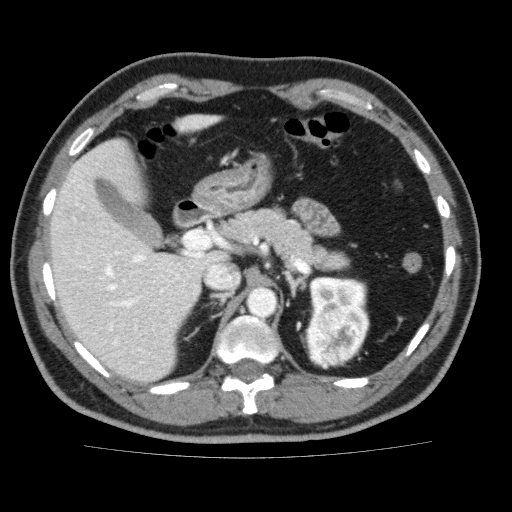
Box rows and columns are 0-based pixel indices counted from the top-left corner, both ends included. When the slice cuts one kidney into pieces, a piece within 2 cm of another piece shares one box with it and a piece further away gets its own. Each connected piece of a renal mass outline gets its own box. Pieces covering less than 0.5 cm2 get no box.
Slice 120/159 of a contrast-enhanced abdominal CT, counting up from the lowest; pixel size 0.668 mm, slice thickness 3.00 mm. Two boxes on this slice (one kidney box and one renal mass box), listed by box centre from the image's left to its right. (1) Left renal mass, box rows 310–369, columns 303–363 (outlined area 2,688 px, about 12.0 cm2). (2) Left kidney, box rows 276–341, columns 308–369 (outlined area 2,361 px, about 10.5 cm2).
Scan settings: 120 kVp, FC13 reconstruction kernel.